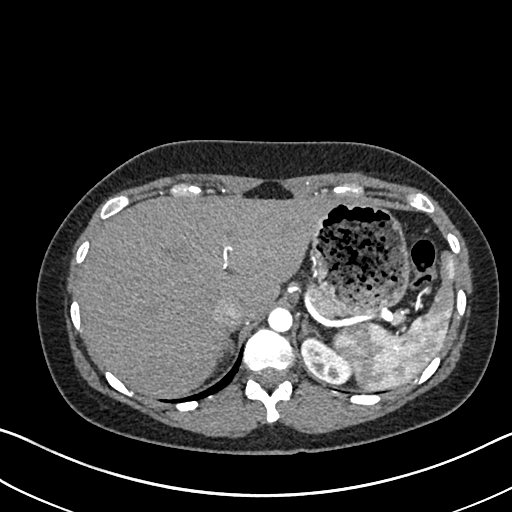
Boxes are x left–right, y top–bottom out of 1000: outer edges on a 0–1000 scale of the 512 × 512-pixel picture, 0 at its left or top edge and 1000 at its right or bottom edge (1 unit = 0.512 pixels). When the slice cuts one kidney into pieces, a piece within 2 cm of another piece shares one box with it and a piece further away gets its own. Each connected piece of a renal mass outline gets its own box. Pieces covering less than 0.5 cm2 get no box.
This is axial slice 546 of 612 (slice 1 is the lowest) of an arterial-phase abdominal CT with contrast; each pixel is 0.703 mm and the slice is 1.00 mm thick. Left kidney, box x 586–688, y 654–750 out of 1000 (outlined area 1,646 px, about 8.1 cm2). No renal mass is outlined on this slice.
Tube voltage 120 kVp; convolution kernel I30f.